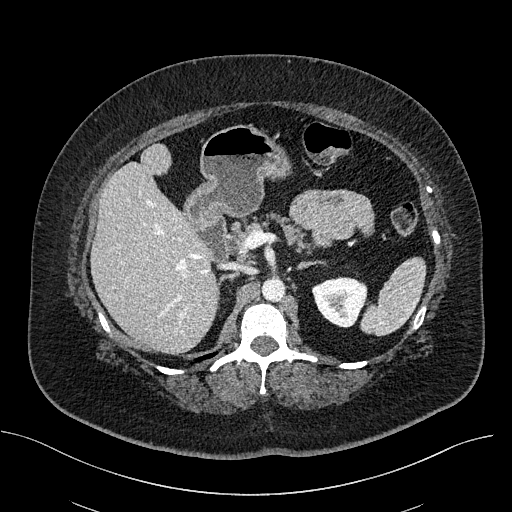
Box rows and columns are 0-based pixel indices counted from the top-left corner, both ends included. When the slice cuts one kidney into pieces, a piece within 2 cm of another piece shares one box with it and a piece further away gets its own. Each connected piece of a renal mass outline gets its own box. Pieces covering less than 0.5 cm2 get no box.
Slice 332/470 of a contrast-enhanced abdominal CT, counting up from the lowest; pixel size 0.824 mm, slice thickness 2.00 mm. Box rows 276–327, columns 311–367: left kidney (outlined area 2,117 px, about 14.4 cm2). No renal mass is outlined on this slice.
Scan settings: 100 kVp, I40f reconstruction kernel.